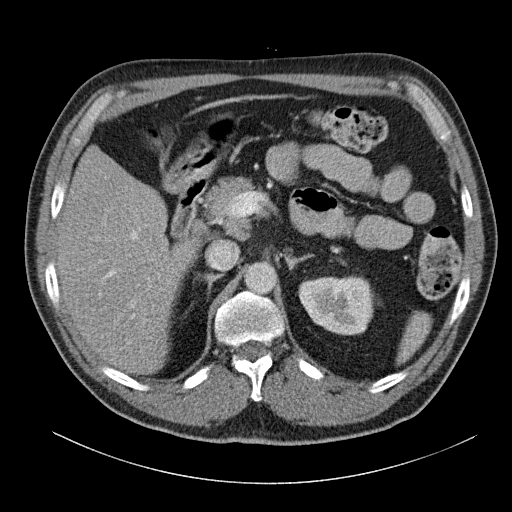
Abdominal CT with intravenous contrast, arterial phase, axial plane, 120 kVp, kernel B31f. Slice 82/140 from the bottom of the scan; thickness 5.00 mm; pixel size 0.754 mm.
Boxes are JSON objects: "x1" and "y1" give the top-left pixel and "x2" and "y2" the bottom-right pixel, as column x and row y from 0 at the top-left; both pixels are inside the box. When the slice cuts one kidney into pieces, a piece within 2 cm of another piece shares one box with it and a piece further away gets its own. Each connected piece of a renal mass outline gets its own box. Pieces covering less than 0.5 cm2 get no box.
Box {"x1": 298, "y1": 276, "x2": 373, "y2": 335}: left kidney (outlined area 3,586 px, about 20.4 cm2). No renal mass is outlined on this slice.